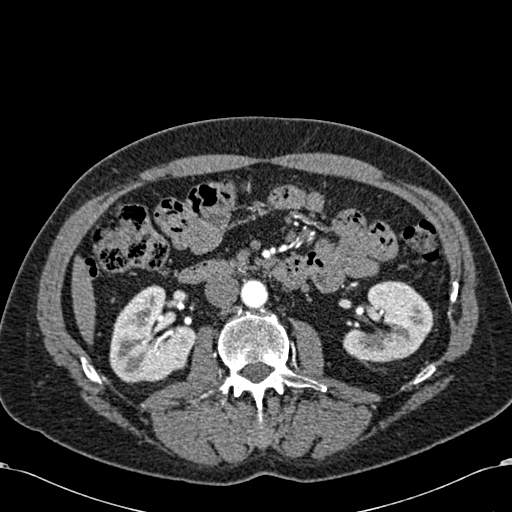
Arterial-phase contrast-enhanced abdominal CT, axial slice 334 of 581 (counted from the lowest slice); tube voltage 120 kVp, convolution kernel B30f; slices 1.00 mm thick, 0.713 mm per pixel.
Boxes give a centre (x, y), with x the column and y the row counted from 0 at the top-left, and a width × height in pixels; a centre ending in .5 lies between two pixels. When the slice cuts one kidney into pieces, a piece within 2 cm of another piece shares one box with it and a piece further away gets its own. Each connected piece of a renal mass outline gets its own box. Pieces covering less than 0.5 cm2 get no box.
Three boxes on this slice (two kidney boxes and one renal mass box), listed by box centre from the image's left to its right. (1) Right kidney in a box with centre (152, 333), 87 × 99 pixels (outlined area 5,772 px, about 29.3 cm2). (2) Box centre (177, 364), 21 × 19 pixels: right renal mass (outlined area 269 px, about 1.4 cm2). (3) Box centre (387.5, 321), 92 × 83 pixels: left kidney (outlined area 5,158 px, about 26.2 cm2).